One axial slice (267 of 433, counting up from the lowest) of a contrast-enhanced abdominal CT acquired with 120 kVp, kernel B30f; each pixel is 0.672 mm and the slice is 1.00 mm thick.
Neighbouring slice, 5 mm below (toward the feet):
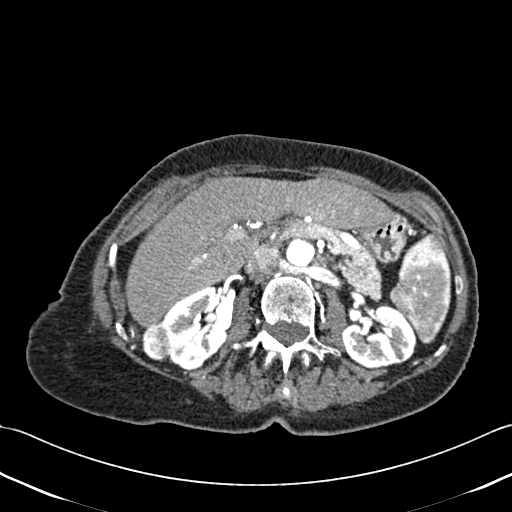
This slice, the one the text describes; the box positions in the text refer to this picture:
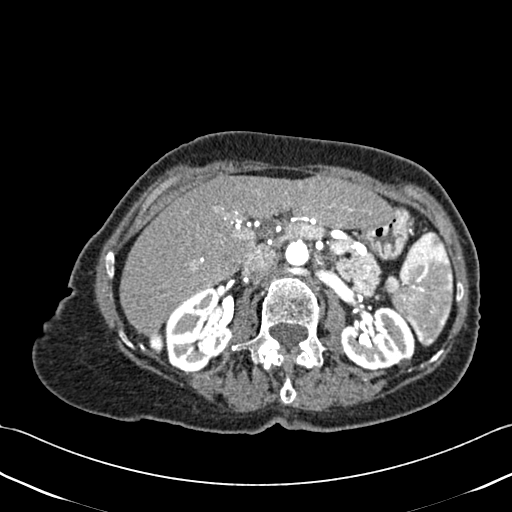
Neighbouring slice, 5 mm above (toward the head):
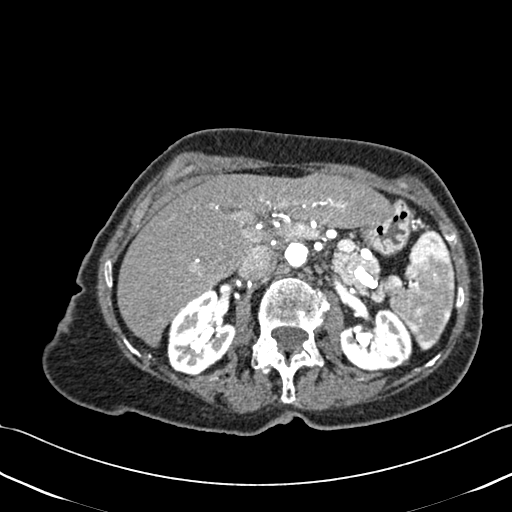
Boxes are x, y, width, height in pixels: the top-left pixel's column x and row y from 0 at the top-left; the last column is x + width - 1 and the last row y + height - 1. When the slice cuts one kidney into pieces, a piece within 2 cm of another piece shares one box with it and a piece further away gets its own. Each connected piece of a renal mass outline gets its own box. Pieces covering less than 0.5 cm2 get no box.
Two kidney boxes and one renal mass box on this slice; by box centre, from the image's left to its right: (1) Right renal mass, box x 149, y 332, width 16, height 21 (outlined area 250 px, about 1.1 cm2). (2) Right kidney, box x 163, y 287, width 71, height 85 (outlined area 4,180 px, about 18.9 cm2). (3) Left kidney at x 340, y 306, width 76, height 65 (outlined area 3,645 px, about 16.5 cm2). This slice lies near the end of the right renal mass toward the head; the slices 5 mm below and 5 mm above it are shown too, and the boxes mark positions on this slice only.